One axial slice (52 of 89, counting up from the lowest) of an arterial-phase abdominal CT acquired with 100 kVp, kernel I40f; each pixel is 0.885 mm and the slice is 5.00 mm thick.
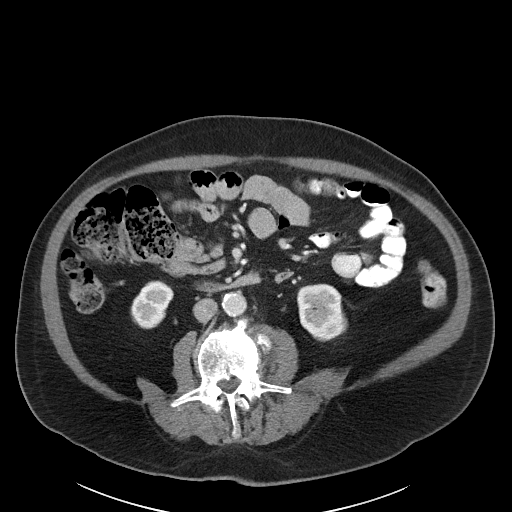
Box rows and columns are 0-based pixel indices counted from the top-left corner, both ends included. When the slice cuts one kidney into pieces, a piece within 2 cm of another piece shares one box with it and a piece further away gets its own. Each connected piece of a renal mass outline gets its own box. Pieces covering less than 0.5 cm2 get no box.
Boxed on this slice (two kidney boxes), listed by box centre from the image's left to its right: (1) Right kidney, box rows 280–329, columns 130–173 (outlined area 1,508 px, about 11.8 cm2). (2) Left kidney, box rows 283–341, columns 297–347 (outlined area 2,310 px, about 18.1 cm2). No renal mass outline on this slice.